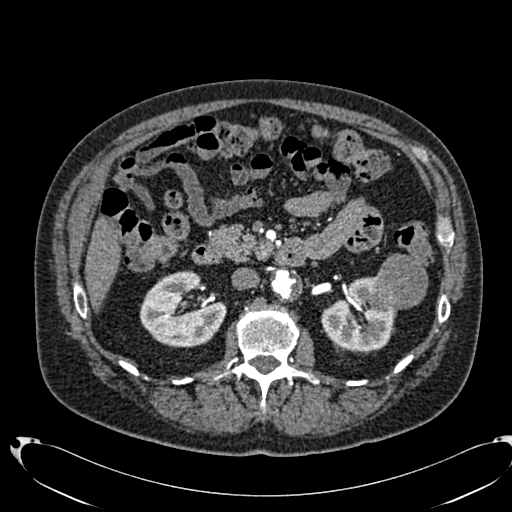
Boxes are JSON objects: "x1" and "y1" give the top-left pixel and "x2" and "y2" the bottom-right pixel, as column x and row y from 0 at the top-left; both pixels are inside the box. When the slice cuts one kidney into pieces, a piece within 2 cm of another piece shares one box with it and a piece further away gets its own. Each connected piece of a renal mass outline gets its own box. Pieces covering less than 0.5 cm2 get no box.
Slice 424/553 of a contrast-enhanced abdominal CT in the arterial phase, counting up from the lowest; pixel size 0.773 mm, slice thickness 1.00 mm. Boxed on this slice (two kidney boxes and one renal mass box), listed by box centre from the image's left to its right: (1) Right kidney, box {"x1": 140, "y1": 271, "x2": 226, "y2": 347} (outlined area 4,714 px, about 28.2 cm2). (2) Left kidney, box {"x1": 321, "y1": 277, "x2": 397, "y2": 351} (outlined area 3,621 px, about 21.7 cm2). (3) Left renal mass, box {"x1": 370, "y1": 253, "x2": 428, "y2": 309} (outlined area 2,520 px, about 15.1 cm2).
Tube voltage 120 kVp; convolution kernel B20f.